One axial slice (512 of 591, counting up from the lowest) of an arterial-phase abdominal CT acquired with 140 kVp, kernel I30f; each pixel is 0.703 mm and the slice is 1.00 mm thick.
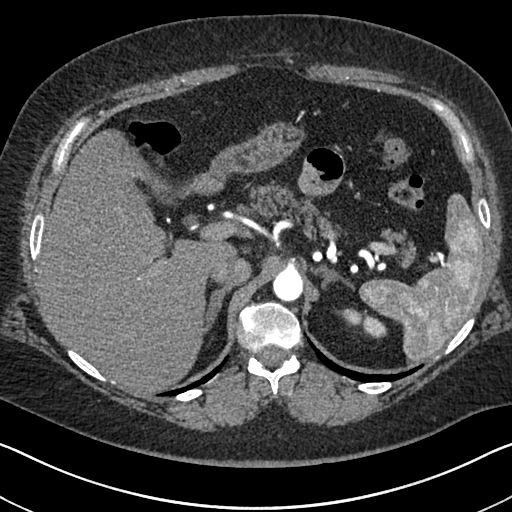
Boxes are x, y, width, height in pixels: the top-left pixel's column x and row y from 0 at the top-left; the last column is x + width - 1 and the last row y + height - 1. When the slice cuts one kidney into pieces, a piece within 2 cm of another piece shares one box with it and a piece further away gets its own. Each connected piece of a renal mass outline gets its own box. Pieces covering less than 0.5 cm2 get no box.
Left kidney, box x 338, y 308, width 50, height 31 (outlined area 696 px, about 3.4 cm2). No renal mass is outlined on this slice.